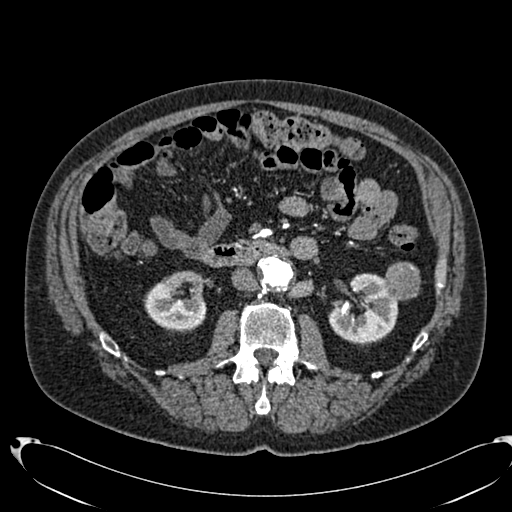
Axial slice 387 of 553 of a contrast-enhanced abdominal CT in the arterial phase (slice 1 is the lowest), 120 kVp, kernel B20f; 1.00 mm slice thickness and 0.773 mm pixels.
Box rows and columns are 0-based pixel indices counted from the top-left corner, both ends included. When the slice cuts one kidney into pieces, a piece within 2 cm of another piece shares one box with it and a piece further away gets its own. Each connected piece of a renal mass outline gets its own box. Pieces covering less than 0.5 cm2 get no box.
Boxed on this slice (two kidney boxes and one renal mass box), listed by box centre from the image's left to its right: (1) Right kidney at rows 270–332, columns 143–206 (outlined area 2,882 px, about 17.2 cm2). (2) Left kidney, box rows 273–346, columns 328–398 (outlined area 3,467 px, about 20.7 cm2). (3) Left renal mass, box rows 261–300, columns 383–420 (outlined area 1,186 px, about 7.1 cm2).